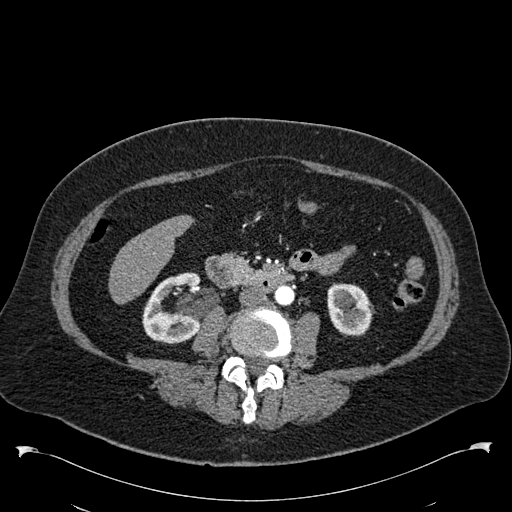
Arterial-phase contrast-enhanced abdominal CT, axial slice 259 of 538 (counted from the lowest slice); tube voltage 120 kVp, convolution kernel B30f; slices 1.00 mm thick, 0.811 mm per pixel.
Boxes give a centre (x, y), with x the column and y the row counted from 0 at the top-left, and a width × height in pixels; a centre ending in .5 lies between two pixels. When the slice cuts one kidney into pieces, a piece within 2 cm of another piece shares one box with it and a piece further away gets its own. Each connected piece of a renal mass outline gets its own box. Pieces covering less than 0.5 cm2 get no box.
Two kidney boxes on this slice; by box centre, from the image's left to its right: (1) Box centre (171, 308), 59 × 73 pixels: right kidney (outlined area 3,172 px, about 20.8 cm2). (2) Left kidney in a box with centre (350.5, 309.5), 48 × 54 pixels (outlined area 1,998 px, about 13.1 cm2). No renal mass is outlined on this slice.